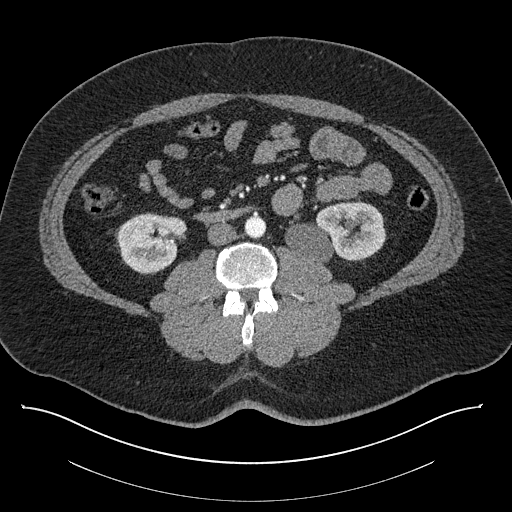
Abdominal CT with intravenous contrast, axial plane, 140 kVp, kernel I30f. Slice 413/787 from the bottom of the scan; thickness 1.00 mm; pixel size 0.910 mm.
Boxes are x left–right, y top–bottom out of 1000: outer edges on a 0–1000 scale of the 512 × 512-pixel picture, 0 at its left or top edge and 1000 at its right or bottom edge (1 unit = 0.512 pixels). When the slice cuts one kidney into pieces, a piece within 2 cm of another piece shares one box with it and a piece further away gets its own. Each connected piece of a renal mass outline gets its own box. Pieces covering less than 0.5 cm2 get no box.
Boxed on this slice (two kidney boxes), listed by box centre from the image's left to its right: (1) Right kidney at x 229–367, y 416–537 out of 1000 (outlined area 3,249 px, about 26.9 cm2). (2) Left kidney, box x 557–756, y 393–516 out of 1000 (outlined area 4,594 px, about 38.1 cm2). This slice carries no renal mass outline.